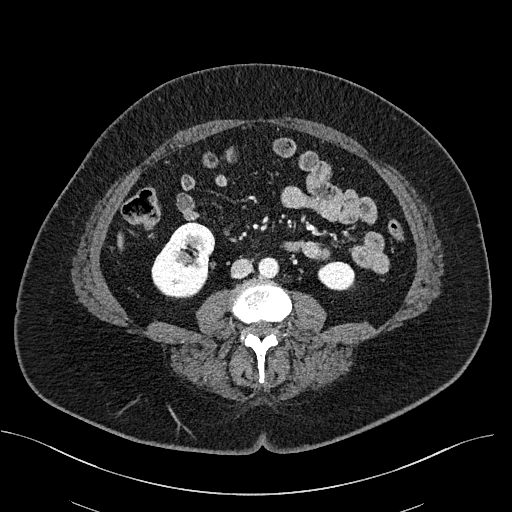
Contrast-enhanced abdominal CT, axial slice 256 of 470 (counted from the lowest slice); tube voltage 100 kVp, convolution kernel I40f; slices 2.00 mm thick, 0.824 mm per pixel.
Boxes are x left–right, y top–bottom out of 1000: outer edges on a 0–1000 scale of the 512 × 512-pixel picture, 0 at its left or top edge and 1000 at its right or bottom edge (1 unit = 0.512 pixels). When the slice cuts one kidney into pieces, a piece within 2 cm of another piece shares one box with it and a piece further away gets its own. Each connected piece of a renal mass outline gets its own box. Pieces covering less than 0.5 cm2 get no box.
Boxed on this slice (two kidney boxes), listed by box centre from the image's left to its right: (1) Right kidney at x 295–422, y 432–584 out of 1000 (outlined area 3,530 px, about 24.0 cm2). (2) Left kidney at x 619–693, y 510–568 out of 1000 (outlined area 892 px, about 6.1 cm2). This slice carries no renal mass outline.